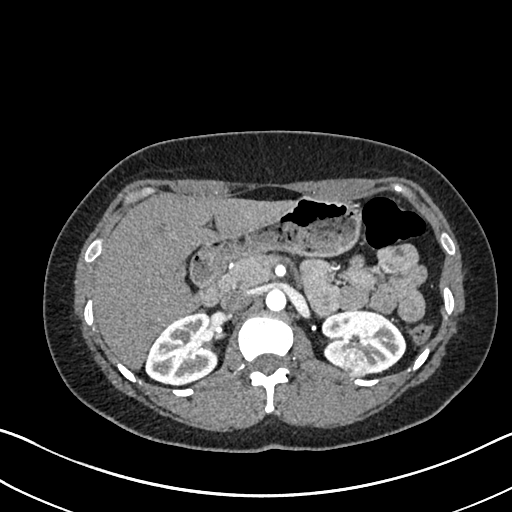
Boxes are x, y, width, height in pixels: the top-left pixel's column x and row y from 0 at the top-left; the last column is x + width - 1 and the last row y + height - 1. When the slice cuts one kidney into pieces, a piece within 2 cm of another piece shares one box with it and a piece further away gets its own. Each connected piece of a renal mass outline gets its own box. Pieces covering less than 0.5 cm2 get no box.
This is axial slice 446 of 612 (slice 1 is the lowest) of an arterial-phase abdominal CT with contrast; each pixel is 0.703 mm and the slice is 1.00 mm thick. Two kidney boxes and one renal mass box on this slice; by box centre, from the image's left to its right: (1) Box x 145, y 312, width 74, height 74: right kidney (outlined area 3,951 px, about 19.5 cm2). (2) Left renal mass, box x 342, y 347, width 28, height 32 (outlined area 638 px, about 3.2 cm2). (3) Left kidney at x 321, y 309, width 86, height 67 (outlined area 3,774 px, about 18.7 cm2).
Tube voltage 120 kVp; convolution kernel I30f.